Abdominal CT with intravenous contrast, axial plane, 100 kVp, kernel I40f. Slice 68/101 from the bottom of the scan; thickness 5.00 mm; pixel size 0.879 mm.
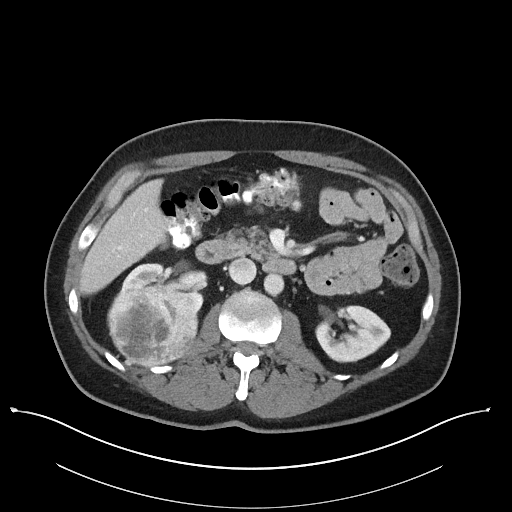
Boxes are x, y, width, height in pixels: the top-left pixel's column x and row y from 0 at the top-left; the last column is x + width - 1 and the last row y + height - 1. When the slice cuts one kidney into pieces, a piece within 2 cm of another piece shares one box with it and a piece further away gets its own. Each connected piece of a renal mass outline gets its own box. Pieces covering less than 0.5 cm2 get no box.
Boxed on this slice (two kidney boxes and one renal mass box), listed by box centre from the image's left to its right: (1) Right renal mass, box x 109, y 285, width 89, height 82 (outlined area 5,832 px, about 45.1 cm2). (2) Right kidney, box x 120, y 263, width 84, height 52 (outlined area 1,625 px, about 12.6 cm2). (3) Left kidney at x 315, y 304, width 76, height 59 (outlined area 3,000 px, about 23.2 cm2).